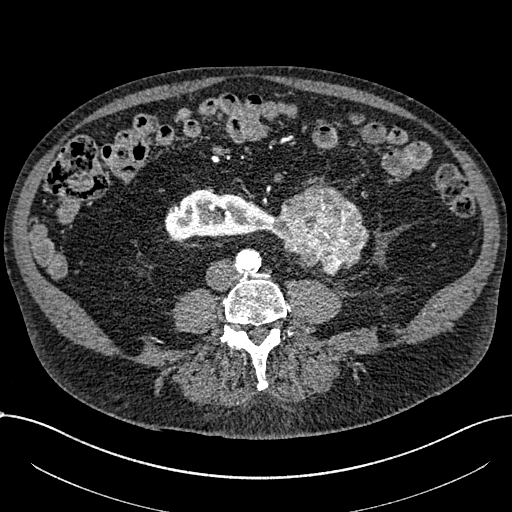
One axial slice (251 of 1059, counting up from the lowest) of an arterial-phase abdominal CT acquired with 100 kVp, kernel I30f; each pixel is 0.811 mm and the slice is 1.00 mm thick.
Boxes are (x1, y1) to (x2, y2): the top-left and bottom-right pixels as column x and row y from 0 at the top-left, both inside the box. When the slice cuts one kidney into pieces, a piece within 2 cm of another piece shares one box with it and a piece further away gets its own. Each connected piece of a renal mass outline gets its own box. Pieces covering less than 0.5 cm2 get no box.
Two boxes on this slice (one kidney box and one renal mass box), listed by box centre from the image's left to its right. (1) Right part of the midline-crossing kidney, box (164, 189) to (272, 240) (outlined area 3,938 px, about 25.9 cm2). (2) Renal mass from (270, 181) to (369, 276) (outlined area 6,111 px, about 40.1 cm2).